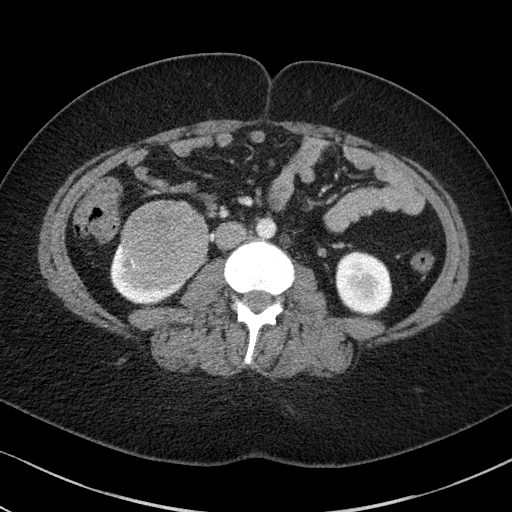
One axial slice (47 of 85, counting up from the lowest) of an arterial-phase abdominal CT acquired with 100 kVp, kernel I41f; each pixel is 0.664 mm and the slice is 5.00 mm thick.
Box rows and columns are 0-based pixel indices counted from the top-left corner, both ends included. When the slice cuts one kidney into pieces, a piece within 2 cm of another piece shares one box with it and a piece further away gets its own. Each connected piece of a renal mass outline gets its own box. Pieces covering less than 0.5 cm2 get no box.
Three boxes on this slice (two kidney boxes and one renal mass box), listed by box centre from the image's left to its right. (1) Box rows 243–305, columns 110–191: right kidney (outlined area 2,152 px, about 9.5 cm2). (2) Right renal mass, box rows 200–278, columns 120–208 (outlined area 5,691 px, about 25.1 cm2). (3) Left kidney, box rows 251–316, columns 335–392 (outlined area 2,953 px, about 13.0 cm2).